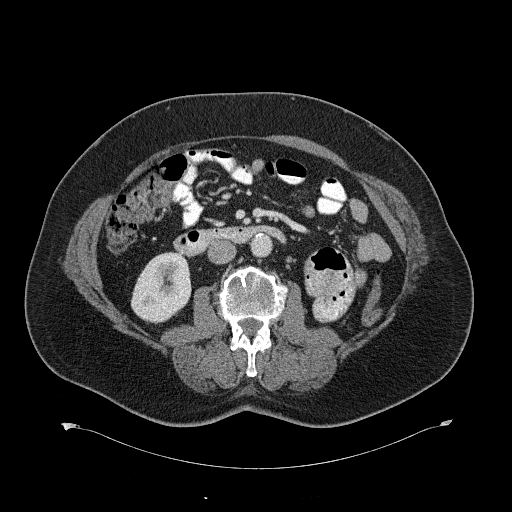
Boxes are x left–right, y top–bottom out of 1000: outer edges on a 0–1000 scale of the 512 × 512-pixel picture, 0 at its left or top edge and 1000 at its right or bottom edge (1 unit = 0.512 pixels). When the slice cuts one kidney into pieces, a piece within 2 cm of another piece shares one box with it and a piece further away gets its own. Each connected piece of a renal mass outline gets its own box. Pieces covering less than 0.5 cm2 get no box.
Slice 334/734 of a contrast-enhanced abdominal CT, counting up from the lowest; pixel size 0.971 mm, slice thickness 2.00 mm. Box x 254–375, y 492–633 out of 1000: right kidney (outlined area 3,252 px, about 30.6 cm2). No renal mass is outlined on this slice.
Scan settings: 120 kVp, B31f reconstruction kernel.